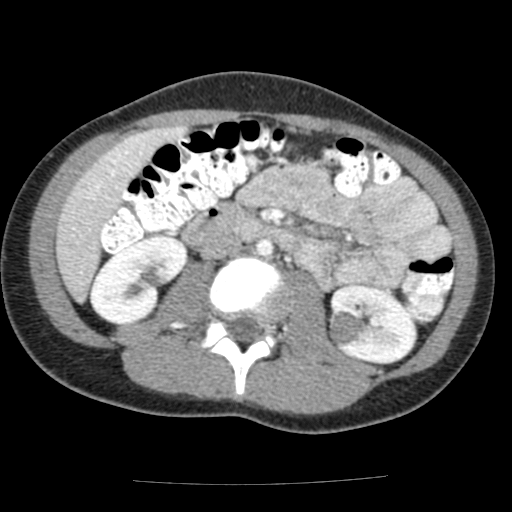
Axial slice 75 of 117 of a contrast-enhanced abdominal CT in the arterial phase (slice 1 is the lowest), 120 kVp, kernel FC12; 3.00 mm slice thickness and 0.518 mm pixels.
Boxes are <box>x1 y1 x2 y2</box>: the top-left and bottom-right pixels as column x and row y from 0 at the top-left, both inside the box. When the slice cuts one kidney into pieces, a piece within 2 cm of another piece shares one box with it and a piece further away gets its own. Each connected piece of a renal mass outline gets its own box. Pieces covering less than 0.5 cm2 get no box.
Two kidney boxes and one renal mass box on this slice; by box centre, from the image's left to its right: (1) Right kidney at <box>88 235 188 324</box> (outlined area 6,023 px, about 16.2 cm2). (2) Left renal mass at <box>327 309 361 346</box> (outlined area 969 px, about 2.6 cm2). (3) Left kidney at <box>330 284 417 365</box> (outlined area 4,781 px, about 12.8 cm2).